One axial slice (310 of 734, counting up from the lowest) of a contrast-enhanced abdominal CT acquired with 120 kVp, kernel B31f; each pixel is 0.971 mm and the slice is 2.00 mm thick.
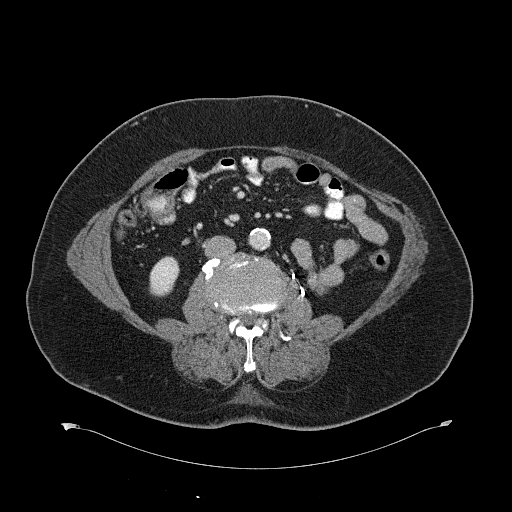
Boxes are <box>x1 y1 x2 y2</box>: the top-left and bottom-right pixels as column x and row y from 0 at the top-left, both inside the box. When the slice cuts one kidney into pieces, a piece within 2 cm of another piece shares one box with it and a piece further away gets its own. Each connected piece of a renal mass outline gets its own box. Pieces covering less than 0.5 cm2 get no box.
At <box>149 256 179 296</box>: right kidney (outlined area 965 px, about 9.1 cm2). This slice carries no renal mass outline.